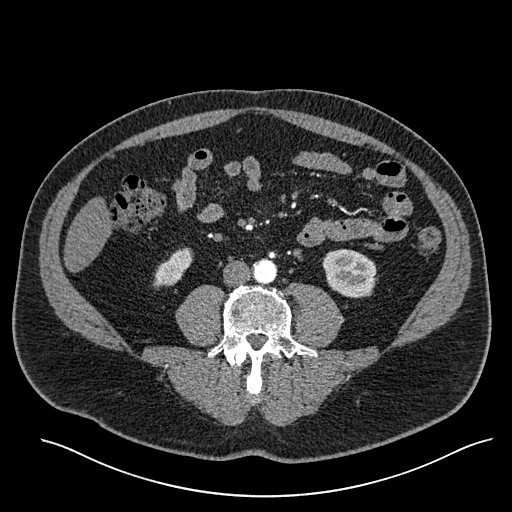
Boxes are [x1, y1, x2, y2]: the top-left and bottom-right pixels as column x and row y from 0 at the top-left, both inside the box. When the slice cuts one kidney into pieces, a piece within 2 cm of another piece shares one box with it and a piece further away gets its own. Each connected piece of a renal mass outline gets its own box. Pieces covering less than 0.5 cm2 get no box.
This is axial slice 205 of 527 (slice 1 is the lowest) of an arterial-phase abdominal CT with contrast; each pixel is 0.859 mm and the slice is 1.00 mm thick. Two boxes on this slice (two kidney boxes), listed by box centre from the image's left to its right. (1) Box [152, 247, 193, 289]: right kidney (outlined area 995 px, about 7.3 cm2). (2) Box [322, 249, 377, 298]: left kidney (outlined area 2,137 px, about 15.8 cm2). This slice carries no renal mass outline.
Scan settings: 120 kVp, I30f reconstruction kernel.